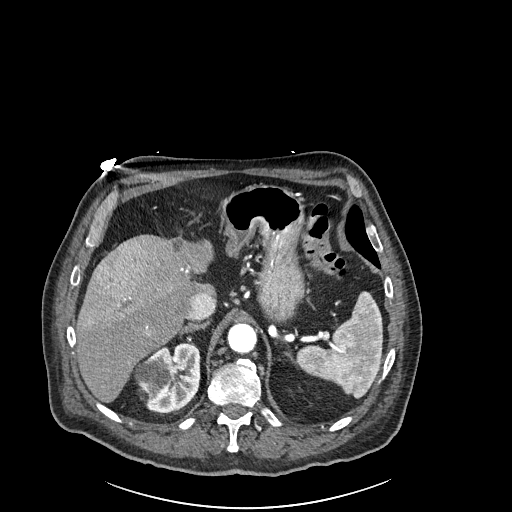
Axial slice 178 of 261 of a contrast-enhanced abdominal CT in the arterial phase (slice 1 is the lowest), 120 kVp, kernel I30f; 2.00 mm slice thickness and 0.939 mm pixels.
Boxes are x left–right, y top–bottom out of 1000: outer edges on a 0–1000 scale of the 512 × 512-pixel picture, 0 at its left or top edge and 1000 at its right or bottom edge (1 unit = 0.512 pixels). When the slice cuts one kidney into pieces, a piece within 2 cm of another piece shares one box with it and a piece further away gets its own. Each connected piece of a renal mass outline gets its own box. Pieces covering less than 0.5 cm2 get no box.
Box x 260–393, y 668–809 out of 1000: right kidney (outlined area 3,497 px, about 30.9 cm2). This slice carries no renal mass outline.